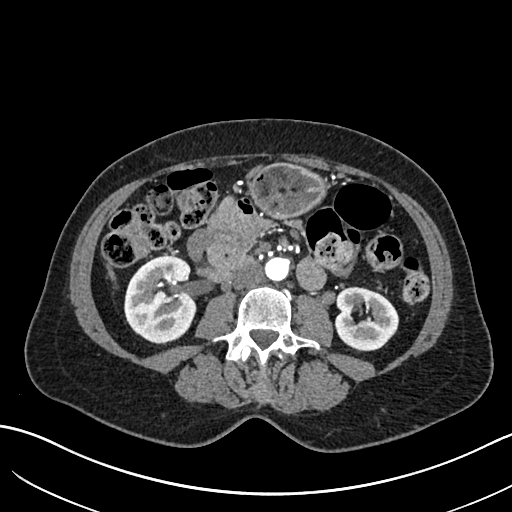
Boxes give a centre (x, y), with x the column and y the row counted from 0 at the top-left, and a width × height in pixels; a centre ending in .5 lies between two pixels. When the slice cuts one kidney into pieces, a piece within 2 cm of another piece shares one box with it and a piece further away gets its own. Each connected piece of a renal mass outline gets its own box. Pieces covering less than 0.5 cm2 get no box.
This is axial slice 321 of 683 (slice 1 is the lowest) of an arterial-phase abdominal CT with contrast; each pixel is 0.738 mm and the slice is 1.00 mm thick. Two boxes on this slice (two kidney boxes), listed by box centre from the image's left to its right. (1) Right kidney, box centre (160, 299.5), 73 × 90 pixels (outlined area 5,080 px, about 27.7 cm2). (2) Box centre (366, 318.5), 65 × 66 pixels: left kidney (outlined area 3,171 px, about 17.3 cm2). No renal mass is outlined on this slice.
Tube voltage 120 kVp; convolution kernel I30f.